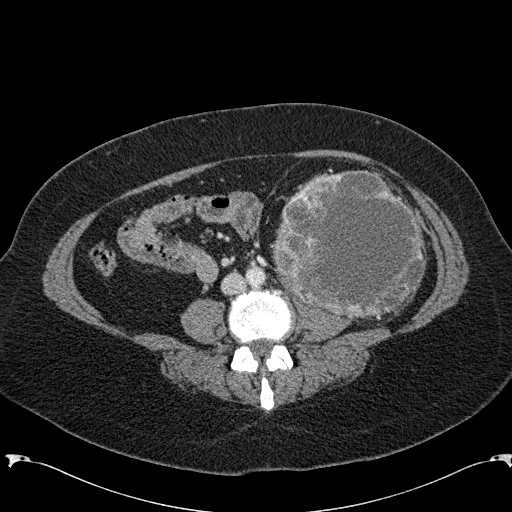
Axial slice 61 of 285 of a contrast-enhanced abdominal CT in the arterial phase (slice 1 is the lowest), 120 kVp, kernel B31f; 2.00 mm slice thickness and 0.762 mm pixels.
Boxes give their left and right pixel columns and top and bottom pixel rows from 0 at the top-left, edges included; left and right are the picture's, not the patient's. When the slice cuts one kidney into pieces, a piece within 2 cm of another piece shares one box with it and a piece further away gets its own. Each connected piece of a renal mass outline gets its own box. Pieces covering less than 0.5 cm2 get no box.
Left renal mass, the box with left 271, top 170, right 427, bottom 319 (outlined area 17,878 px, about 103.7 cm2); this slice has no kidney outline, though on another slice the same outlined renal mass lies within 1 cm of the kidney.